One axial slice (81 of 99, counting up from the lowest) of a contrast-enhanced abdominal CT acquired with 120 kVp, kernel B31f; each pixel is 0.742 mm and the slice is 5.00 mm thick.
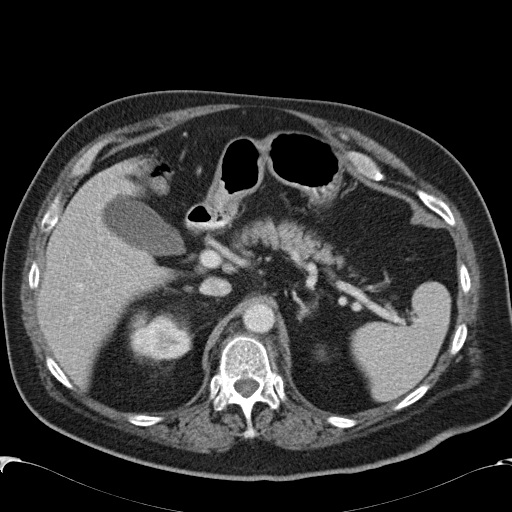
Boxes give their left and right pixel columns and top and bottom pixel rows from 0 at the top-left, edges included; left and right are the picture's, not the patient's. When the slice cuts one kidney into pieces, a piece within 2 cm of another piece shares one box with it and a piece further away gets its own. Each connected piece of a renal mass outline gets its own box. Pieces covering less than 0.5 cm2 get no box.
Right kidney, the box with left 130, top 314, right 190, bottom 360 (outlined area 2,162 px, about 11.9 cm2). This slice carries no renal mass outline.